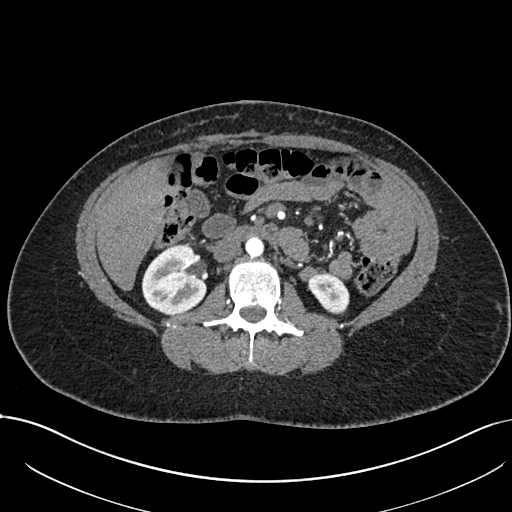
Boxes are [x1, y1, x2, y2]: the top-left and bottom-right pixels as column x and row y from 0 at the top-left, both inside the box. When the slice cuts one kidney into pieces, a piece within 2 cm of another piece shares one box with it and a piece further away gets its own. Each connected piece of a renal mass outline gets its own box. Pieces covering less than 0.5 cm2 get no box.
Slice 396/738 of a contrast-enhanced abdominal CT in the arterial phase, counting up from the lowest; pixel size 0.789 mm, slice thickness 1.00 mm. Two kidney boxes on this slice; by box centre, from the image's left to its right: (1) Right kidney, box [141, 244, 207, 315] (outlined area 3,509 px, about 21.8 cm2). (2) Left kidney, box [308, 271, 349, 314] (outlined area 1,307 px, about 8.1 cm2). No renal mass outline on this slice.
Scan settings: 120 kVp, I30f reconstruction kernel.